Abdominal CT with intravenous contrast, axial plane, 120 kVp, kernel FC52. Slice 83/137 from the bottom of the scan; thickness 3.00 mm; pixel size 0.741 mm.
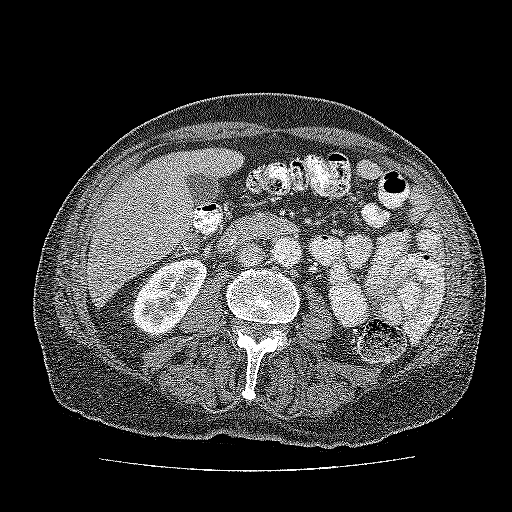
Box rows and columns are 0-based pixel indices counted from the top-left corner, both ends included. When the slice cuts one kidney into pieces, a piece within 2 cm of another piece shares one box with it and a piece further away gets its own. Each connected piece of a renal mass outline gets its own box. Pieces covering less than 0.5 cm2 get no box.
Kidney, box rows 256–335, columns 132–208 (outlined area 3,895 px, about 21.4 cm2). This slice carries no renal mass outline.